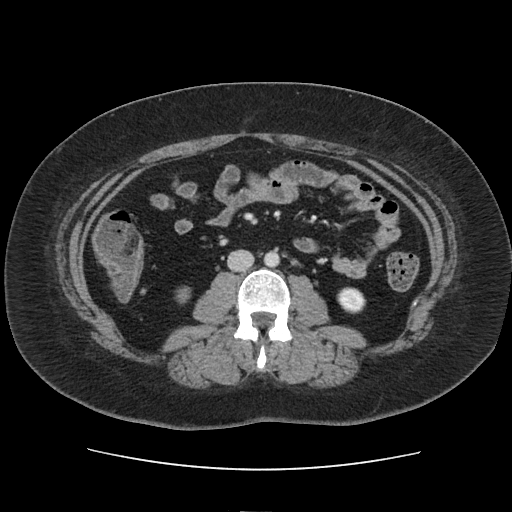
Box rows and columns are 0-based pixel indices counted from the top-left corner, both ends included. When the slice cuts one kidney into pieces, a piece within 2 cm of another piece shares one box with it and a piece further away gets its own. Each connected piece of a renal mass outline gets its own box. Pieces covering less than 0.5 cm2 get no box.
This is axial slice 58 of 103 (slice 1 is the lowest) of an arterial-phase abdominal CT with contrast; each pixel is 0.873 mm and the slice is 5.00 mm thick. Two boxes on this slice (two kidney boxes), listed by box centre from the image's left to its right. (1) Right kidney, box rows 286–303, columns 175–190 (outlined area 207 px, about 1.6 cm2). (2) Box rows 287–313, columns 337–365: left kidney (outlined area 599 px, about 4.6 cm2). This slice carries no renal mass outline.
Tube voltage 120 kVp; convolution kernel FC19.